Contrast-enhanced abdominal CT, axial slice 257 of 439 (counted from the lowest slice); tube voltage 100 kVp, convolution kernel I40f; slices 2.00 mm thick, 0.850 mm per pixel.
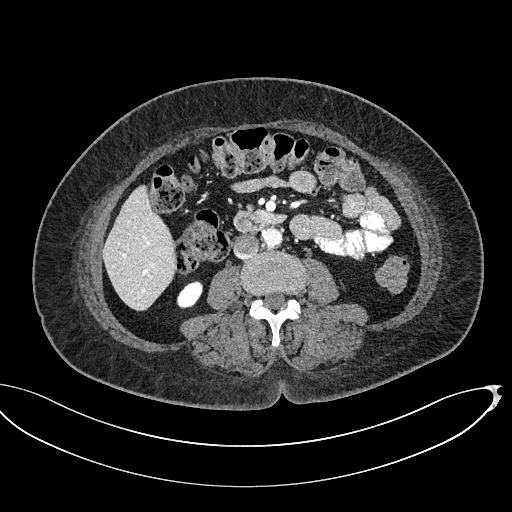
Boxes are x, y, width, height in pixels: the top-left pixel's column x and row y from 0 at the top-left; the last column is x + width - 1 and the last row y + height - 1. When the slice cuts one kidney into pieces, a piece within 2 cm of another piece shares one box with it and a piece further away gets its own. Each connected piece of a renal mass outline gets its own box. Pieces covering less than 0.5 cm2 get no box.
Right kidney at x 176, y 281, width 27, height 28 (outlined area 530 px, about 3.8 cm2). No renal mass outline on this slice.